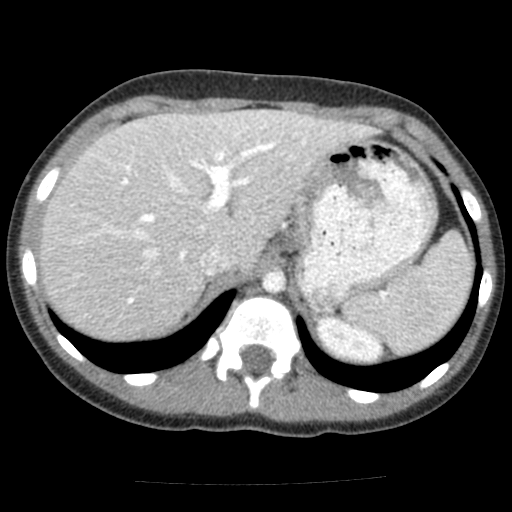
One axial slice (99 of 117, counting up from the lowest) of an arterial-phase abdominal CT acquired with 120 kVp, kernel FC12; each pixel is 0.518 mm and the slice is 3.00 mm thick.
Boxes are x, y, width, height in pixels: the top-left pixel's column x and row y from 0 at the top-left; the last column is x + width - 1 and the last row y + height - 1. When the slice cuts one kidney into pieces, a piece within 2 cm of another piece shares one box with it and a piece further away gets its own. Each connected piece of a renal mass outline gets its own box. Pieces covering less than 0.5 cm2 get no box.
Left kidney, box x 317, y 316, width 63, height 45 (outlined area 1,864 px, about 5.0 cm2). No renal mass outline on this slice.